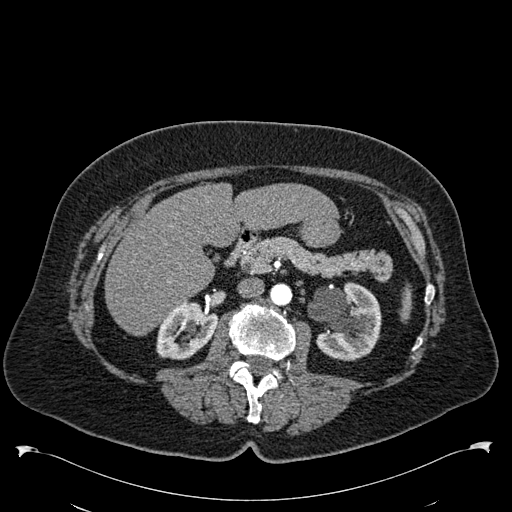
Axial slice 335 of 538 of a contrast-enhanced abdominal CT in the arterial phase (slice 1 is the lowest), 120 kVp, kernel B30f; 1.00 mm slice thickness and 0.811 mm pixels.
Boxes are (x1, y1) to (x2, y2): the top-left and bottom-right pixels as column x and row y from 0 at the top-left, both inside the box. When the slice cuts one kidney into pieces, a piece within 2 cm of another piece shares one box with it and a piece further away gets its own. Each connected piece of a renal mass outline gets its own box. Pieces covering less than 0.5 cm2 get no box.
Two boxes on this slice (two kidney boxes), listed by box centre from the image's left to its right. (1) Right kidney, box (156, 301) to (218, 359) (outlined area 2,526 px, about 16.6 cm2). (2) Left kidney, box (308, 282) to (381, 360) (outlined area 4,365 px, about 28.7 cm2). This slice carries no renal mass outline.